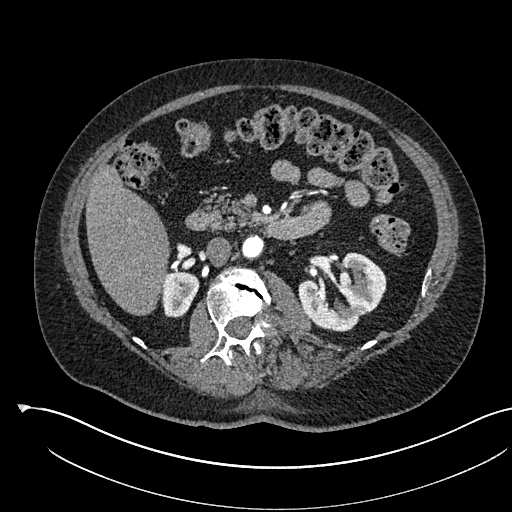
Arterial-phase contrast-enhanced abdominal CT, axial slice 325 of 541 (counted from the lowest slice); tube voltage 120 kVp, convolution kernel I30f; slices 1.00 mm thick, 0.834 mm per pixel.
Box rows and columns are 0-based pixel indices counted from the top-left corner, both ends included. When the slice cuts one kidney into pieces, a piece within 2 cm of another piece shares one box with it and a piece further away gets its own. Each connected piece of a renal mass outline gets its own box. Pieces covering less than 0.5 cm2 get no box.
Boxed on this slice (two kidney boxes), listed by box centre from the image's left to its right: (1) Box rows 271–317, columns 162–199: right kidney (outlined area 1,414 px, about 9.8 cm2). (2) Left kidney, box rows 252–331, columns 298–386 (outlined area 4,568 px, about 31.8 cm2). This slice carries no renal mass outline.